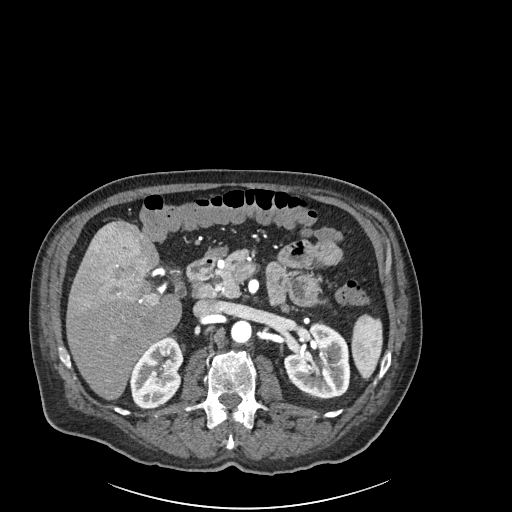
One axial slice (126 of 261, counting up from the lowest) of an arterial-phase abdominal CT acquired with 120 kVp, kernel I30f; each pixel is 0.939 mm and the slice is 2.00 mm thick.
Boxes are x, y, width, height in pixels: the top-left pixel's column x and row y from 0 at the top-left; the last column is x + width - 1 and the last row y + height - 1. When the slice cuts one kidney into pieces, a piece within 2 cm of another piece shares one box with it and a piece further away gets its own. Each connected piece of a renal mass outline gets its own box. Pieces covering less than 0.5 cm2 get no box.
Two boxes on this slice (two kidney boxes), listed by box centre from the image's left to its right. (1) Right kidney, box x 129, y 336, width 55, height 74 (outlined area 2,887 px, about 25.5 cm2). (2) Left kidney at x 284, y 322, width 66, height 77 (outlined area 3,804 px, about 33.6 cm2). This slice carries no renal mass outline.